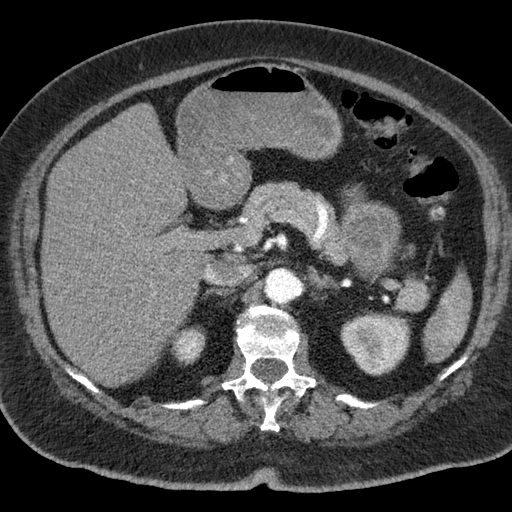
Contrast-enhanced abdominal CT, axial slice 47 of 76 (counted from the lowest slice); tube voltage 120 kVp, convolution kernel B; slices 3.00 mm thick, 0.684 mm per pixel.
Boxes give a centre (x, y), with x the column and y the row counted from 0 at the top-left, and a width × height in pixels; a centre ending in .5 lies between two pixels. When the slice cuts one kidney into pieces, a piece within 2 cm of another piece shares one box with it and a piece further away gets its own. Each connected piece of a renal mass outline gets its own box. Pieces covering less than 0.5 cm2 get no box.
Boxed on this slice (two kidney boxes), listed by box centre from the image's left to its right: (1) Box centre (187.5, 345), 36 × 41 pixels: right kidney (outlined area 1,067 px, about 5.0 cm2). (2) Box centre (375.5, 344), 72 × 65 pixels: left kidney (outlined area 3,449 px, about 16.1 cm2). No renal mass is outlined on this slice.